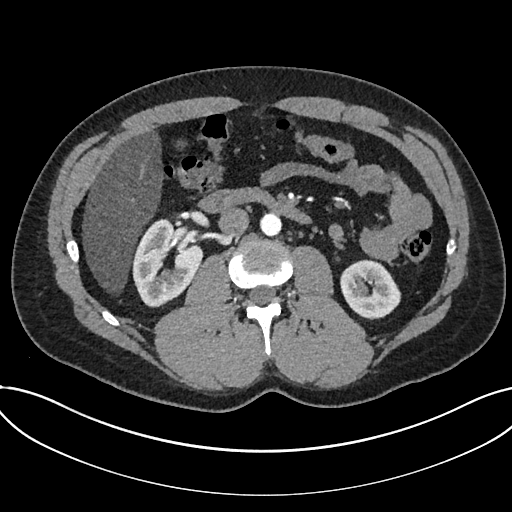
One axial slice (394 of 735, counting up from the lowest) of an arterial-phase abdominal CT acquired with 120 kVp, kernel I30f; each pixel is 0.789 mm and the slice is 1.00 mm thick.
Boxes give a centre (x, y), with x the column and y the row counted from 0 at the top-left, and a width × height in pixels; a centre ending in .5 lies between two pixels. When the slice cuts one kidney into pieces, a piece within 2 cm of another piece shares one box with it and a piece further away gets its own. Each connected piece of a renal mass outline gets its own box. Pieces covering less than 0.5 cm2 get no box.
Boxed on this slice (two kidney boxes), listed by box centre from the image's left to its right: (1) Box centre (167, 263), 71 × 89 pixels: kidney (outlined area 4,247 px, about 26.4 cm2). (2) Kidney, box centre (370.5, 289), 62 × 61 pixels (outlined area 2,716 px, about 16.9 cm2). No renal mass outline on this slice.